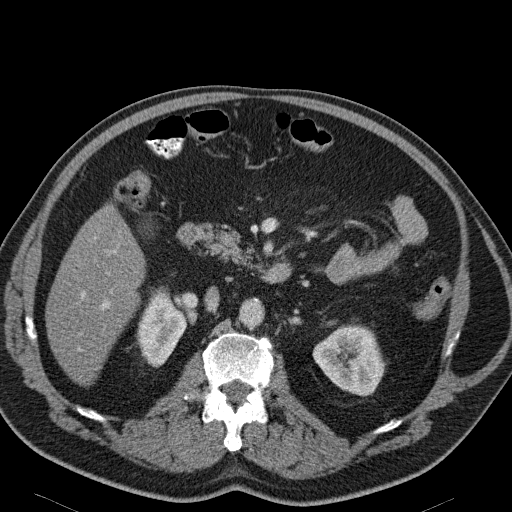
Abdominal CT with intravenous contrast, arterial phase, axial plane, 120 kVp, kernel B31f. Slice 81/114 from the bottom of the scan; thickness 5.00 mm; pixel size 0.781 mm.
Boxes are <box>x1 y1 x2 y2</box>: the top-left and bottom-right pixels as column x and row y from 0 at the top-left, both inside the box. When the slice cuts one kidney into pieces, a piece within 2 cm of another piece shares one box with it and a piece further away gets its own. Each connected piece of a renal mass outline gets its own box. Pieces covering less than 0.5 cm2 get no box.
Two boxes on this slice (two kidney boxes), listed by box centre from the image's left to its right. (1) At <box>136 286 186 367</box>: right kidney (outlined area 2,663 px, about 16.3 cm2). (2) Left kidney at <box>312 324 384 396</box> (outlined area 3,747 px, about 22.9 cm2). This slice carries no renal mass outline.